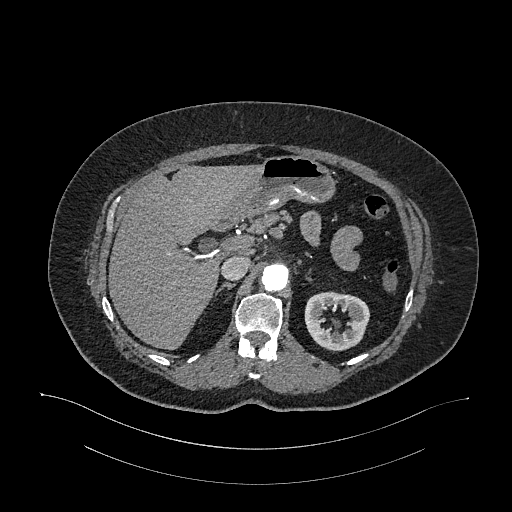
Abdominal CT with intravenous contrast, arterial phase, axial plane, 120 kVp, kernel I26f. Slice 744/987 from the bottom of the scan; thickness 1.00 mm; pixel size 0.977 mm.
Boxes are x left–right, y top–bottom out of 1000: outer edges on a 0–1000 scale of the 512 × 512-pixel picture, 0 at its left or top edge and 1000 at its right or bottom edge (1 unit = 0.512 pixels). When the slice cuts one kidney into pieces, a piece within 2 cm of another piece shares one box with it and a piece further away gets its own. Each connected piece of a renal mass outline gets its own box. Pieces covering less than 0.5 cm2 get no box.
Left kidney at x 594–723, y 568–688 out of 1000 (outlined area 2,792 px, about 26.6 cm2). This slice carries no renal mass outline.